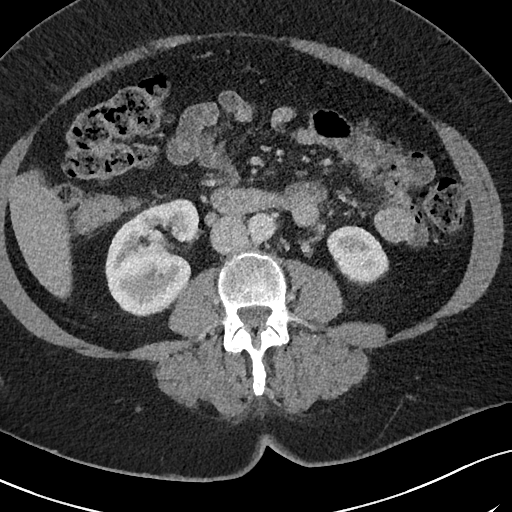
One axial slice (32 of 69, counting up from the lowest) of an arterial-phase abdominal CT acquired with 120 kVp, kernel I40f; each pixel is 0.664 mm and the slice is 3.00 mm thick.
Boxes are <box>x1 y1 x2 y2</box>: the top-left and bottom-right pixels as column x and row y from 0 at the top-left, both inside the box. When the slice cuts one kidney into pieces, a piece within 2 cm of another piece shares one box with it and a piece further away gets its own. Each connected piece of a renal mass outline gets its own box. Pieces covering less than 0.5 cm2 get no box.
Boxed on this slice (two kidney boxes), listed by box centre from the image's left to its right: (1) Right kidney at <box>105 198 202 316</box> (outlined area 8,000 px, about 35.3 cm2). (2) Left kidney at <box>327 225 388 286</box> (outlined area 2,662 px, about 11.7 cm2). No renal mass outline on this slice.